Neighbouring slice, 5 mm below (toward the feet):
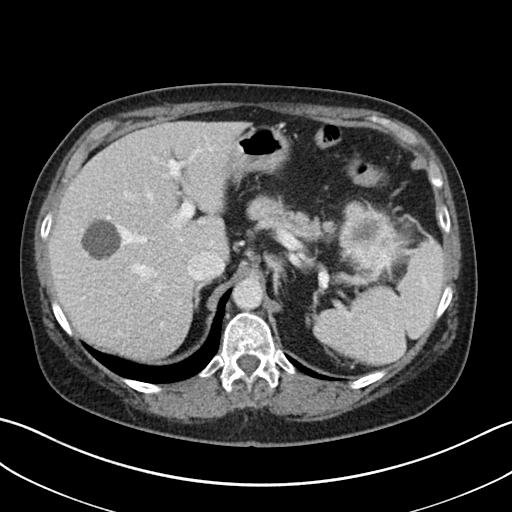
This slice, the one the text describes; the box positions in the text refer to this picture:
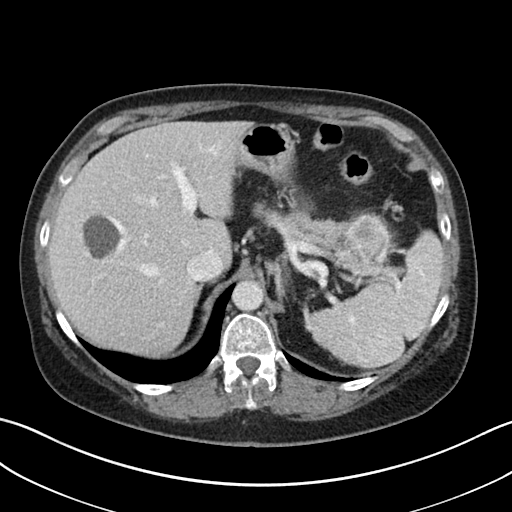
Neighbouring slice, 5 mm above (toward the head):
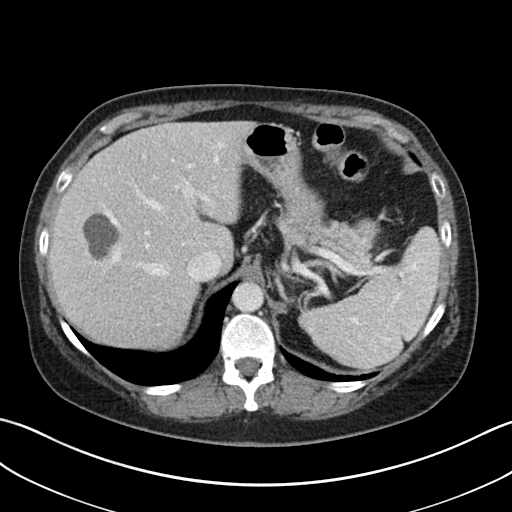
One axial slice (33 of 38, counting up from the lowest) of a contrast-enhanced abdominal CT acquired with 100 kVp, kernel I30f; each pixel is 0.730 mm and the slice is 5.00 mm thick.
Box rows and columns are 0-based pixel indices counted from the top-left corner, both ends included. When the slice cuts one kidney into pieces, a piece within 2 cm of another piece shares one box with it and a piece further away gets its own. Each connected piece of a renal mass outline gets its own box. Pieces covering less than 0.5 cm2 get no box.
Box rows 215–262, columns 348–390: left renal mass (outlined area 1,467 px, about 7.8 cm2); no kidney outline appears on this slice, but the same outlined renal mass comes within 1 cm of the kidney on another slice. This slice lies near the end of the left renal mass toward the head; the slices 5 mm below and 5 mm above it are shown too, and the boxes mark positions on this slice only.